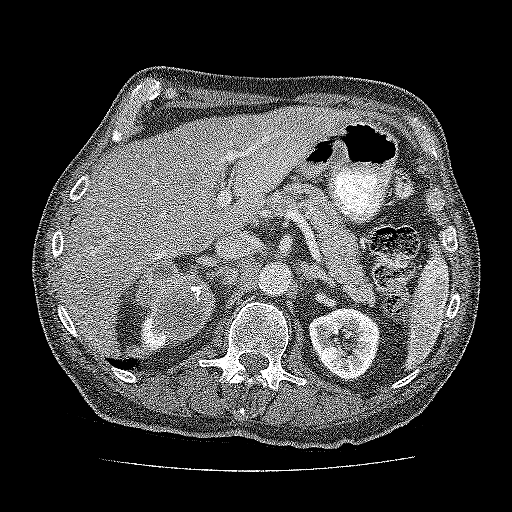
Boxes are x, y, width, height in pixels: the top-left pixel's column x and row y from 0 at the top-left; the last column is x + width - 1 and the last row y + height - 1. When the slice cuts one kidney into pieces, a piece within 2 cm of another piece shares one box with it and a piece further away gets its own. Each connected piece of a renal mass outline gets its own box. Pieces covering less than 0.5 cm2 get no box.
Slice 109/137 of a contrast-enhanced abdominal CT, counting up from the lowest; pixel size 0.741 mm, slice thickness 3.00 mm. Three boxes on this slice (two kidney boxes and one renal mass box), listed by box centre from the image's left to its right. (1) Kidney at x 139, y 314, width 29, height 40 (outlined area 549 px, about 3.0 cm2). (2) Renal mass, box x 133, y 261, width 82, height 85 (outlined area 4,653 px, about 25.5 cm2). (3) Box x 308, y 307, width 73, height 75: kidney (outlined area 3,973 px, about 21.8 cm2).
Scan settings: 120 kVp, FC52 reconstruction kernel.